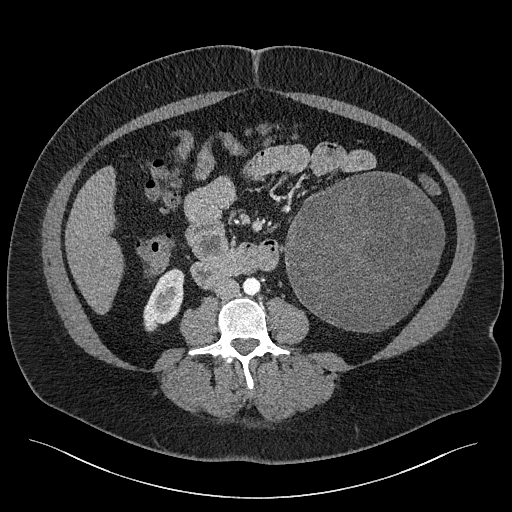
Abdominal CT with intravenous contrast, axial plane, 120 kVp, kernel I40f. Slice 92/301 from the bottom of the scan; thickness 2.00 mm; pixel size 0.859 mm.
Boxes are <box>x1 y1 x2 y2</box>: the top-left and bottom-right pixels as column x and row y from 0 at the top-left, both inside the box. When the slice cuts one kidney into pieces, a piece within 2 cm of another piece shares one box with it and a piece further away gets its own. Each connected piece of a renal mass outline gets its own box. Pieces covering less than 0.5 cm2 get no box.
One kidney box and one renal mass box on this slice; by box centre, from the image's left to its right: (1) Right kidney: <box>143 268 184 331</box> (outlined area 1,743 px, about 12.9 cm2). (2) Left renal mass at <box>283 171 444 332</box> (outlined area 19,649 px, about 145.1 cm2); it sits over 1 cm from every kidney outline on this slice, but the same outlined renal mass comes within 1 cm of the kidney on another slice.